Axial slice 380 of 532 of a contrast-enhanced abdominal CT in the arterial phase (slice 1 is the lowest), 120 kVp, kernel B30f; 1.00 mm slice thickness and 0.713 mm pixels.
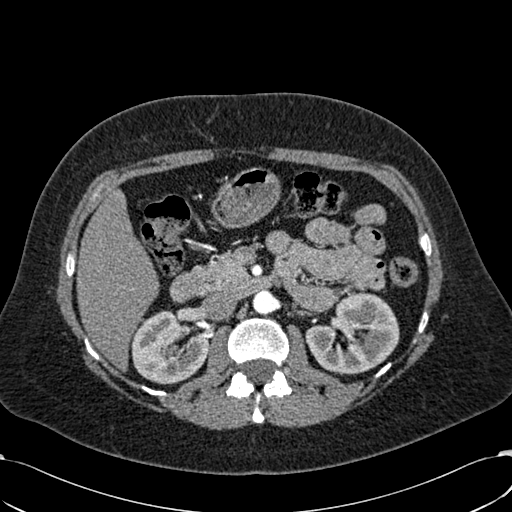
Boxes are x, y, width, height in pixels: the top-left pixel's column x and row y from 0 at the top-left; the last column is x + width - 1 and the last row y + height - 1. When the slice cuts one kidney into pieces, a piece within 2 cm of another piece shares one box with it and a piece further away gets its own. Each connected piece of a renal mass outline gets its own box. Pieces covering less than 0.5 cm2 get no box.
Two boxes on this slice (two kidney boxes), listed by box centre from the image's left to its right. (1) Box x 131, y 310, width 78, height 75: right kidney (outlined area 4,182 px, about 21.3 cm2). (2) Left kidney, box x 305, y 292, width 95, height 83 (outlined area 5,385 px, about 27.4 cm2). This slice carries no renal mass outline.